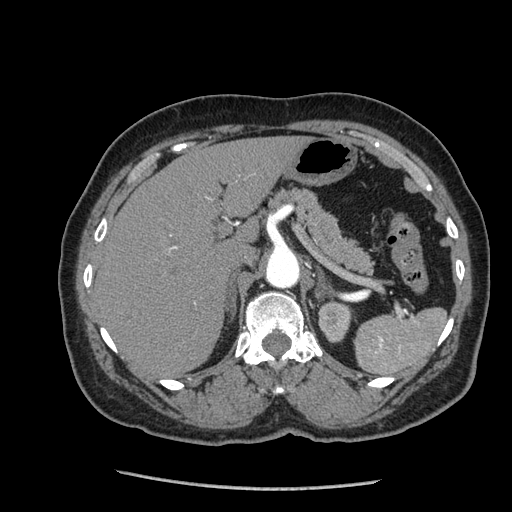
Axial slice 164 of 233 of a contrast-enhanced abdominal CT in the arterial phase (slice 1 is the lowest), 120 kVp, kernel STANDARD; 1.25 mm slice thickness and 0.703 mm pixels.
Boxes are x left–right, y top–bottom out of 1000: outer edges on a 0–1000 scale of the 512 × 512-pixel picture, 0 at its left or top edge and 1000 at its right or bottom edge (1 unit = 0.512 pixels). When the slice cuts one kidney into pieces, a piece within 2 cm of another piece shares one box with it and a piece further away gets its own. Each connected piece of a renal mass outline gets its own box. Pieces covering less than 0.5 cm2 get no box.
Left kidney at x 621–691, y 588–670 out of 1000 (outlined area 1,134 px, about 5.6 cm2). No renal mass is outlined on this slice.